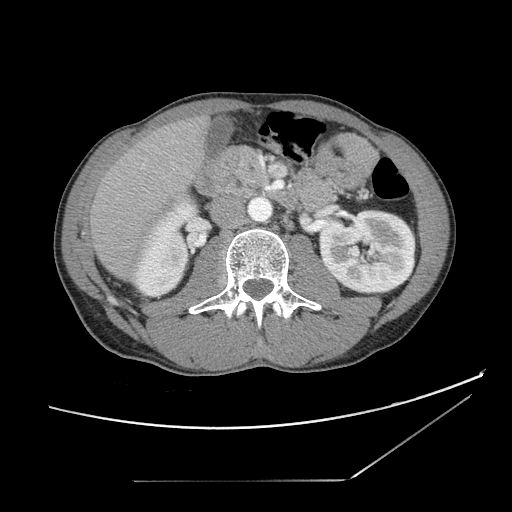
Axial slice 60 of 121 of a contrast-enhanced abdominal CT (slice 1 is the lowest), 120 kVp, kernel STANDARD; 2.50 mm slice thickness and 0.742 mm pixels.
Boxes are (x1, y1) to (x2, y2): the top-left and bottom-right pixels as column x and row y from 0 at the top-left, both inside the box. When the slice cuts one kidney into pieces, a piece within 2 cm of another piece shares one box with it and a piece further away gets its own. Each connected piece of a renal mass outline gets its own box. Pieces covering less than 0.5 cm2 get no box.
Two boxes on this slice (two kidney boxes), listed by box centre from the image's left to its right. (1) Right kidney, box (132, 200) to (197, 296) (outlined area 3,846 px, about 21.2 cm2). (2) Left kidney, box (318, 208) to (416, 295) (outlined area 6,763 px, about 37.3 cm2). No renal mass is outlined on this slice.